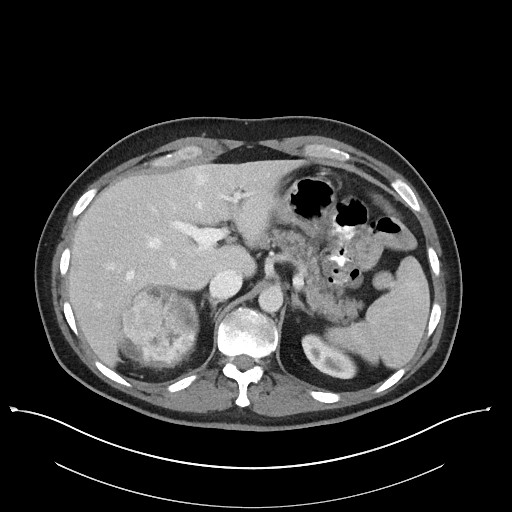
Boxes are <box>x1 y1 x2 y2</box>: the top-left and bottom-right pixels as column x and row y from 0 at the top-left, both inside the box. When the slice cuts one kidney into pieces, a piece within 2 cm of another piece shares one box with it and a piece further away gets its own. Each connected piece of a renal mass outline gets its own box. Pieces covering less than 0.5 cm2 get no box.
Slice 81/101 of a contrast-enhanced abdominal CT, counting up from the lowest; pixel size 0.879 mm, slice thickness 5.00 mm. One kidney box and one renal mass box on this slice; by box centre, from the image's left to its right: (1) Right renal mass: <box>119 286 199 366</box> (outlined area 5,089 px, about 39.3 cm2); it sits over 1 cm from every kidney outline on this slice, but the same outlined renal mass comes within 1 cm of the kidney on another slice. (2) Left kidney: <box>301 333 357 379</box> (outlined area 1,460 px, about 11.3 cm2).
Scan settings: 100 kVp, I40f reconstruction kernel.